Abdominal CT with intravenous contrast, arterial phase, axial plane, 100 kVp, kernel I40f. Slice 24/97 from the bottom of the scan; thickness 3.00 mm; pixel size 0.797 mm.
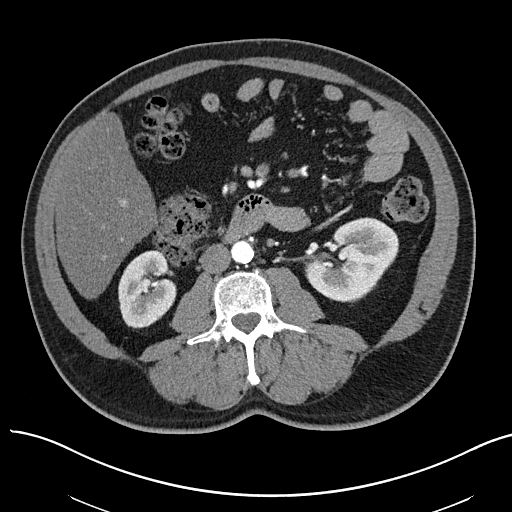
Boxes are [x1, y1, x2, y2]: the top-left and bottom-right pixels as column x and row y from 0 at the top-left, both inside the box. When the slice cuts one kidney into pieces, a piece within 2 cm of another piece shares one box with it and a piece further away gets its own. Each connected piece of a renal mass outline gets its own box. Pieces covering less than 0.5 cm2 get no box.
Boxed on this slice (two kidney boxes), listed by box centre from the image's left to its right: (1) Right kidney at [118, 250, 176, 328] (outlined area 3,479 px, about 22.1 cm2). (2) Box [303, 217, 398, 302]: left kidney (outlined area 5,480 px, about 34.8 cm2). This slice carries no renal mass outline.